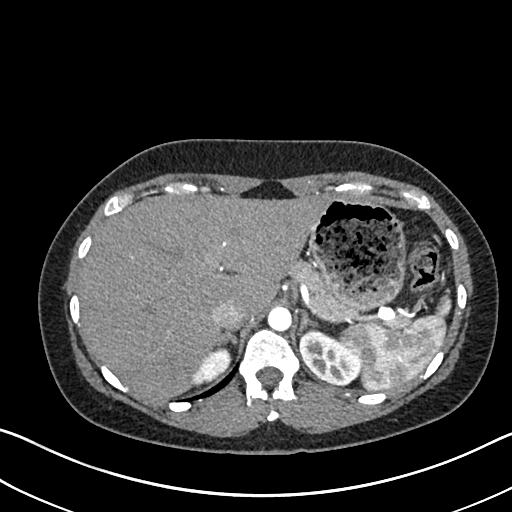
Arterial-phase contrast-enhanced abdominal CT, axial slice 538 of 612 (counted from the lowest slice); tube voltage 120 kVp, convolution kernel I30f; slices 1.00 mm thick, 0.703 mm per pixel.
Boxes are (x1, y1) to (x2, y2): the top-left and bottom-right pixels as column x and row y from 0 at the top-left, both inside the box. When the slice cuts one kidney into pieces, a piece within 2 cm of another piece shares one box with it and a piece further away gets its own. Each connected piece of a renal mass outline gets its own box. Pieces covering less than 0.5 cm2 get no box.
Two kidney boxes on this slice; by box centre, from the image's left to its right: (1) Right kidney, box (192, 346) to (231, 382) (outlined area 882 px, about 4.4 cm2). (2) Left kidney from (299, 327) to (361, 385) (outlined area 2,431 px, about 12.0 cm2). No renal mass outline on this slice.